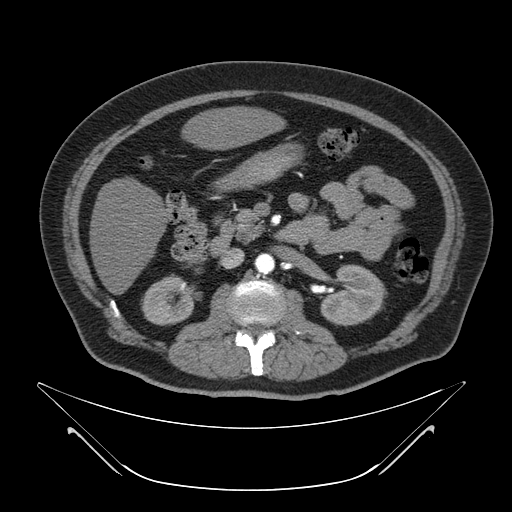
Abdominal CT with intravenous contrast, axial plane, 120 kVp, kernel B. Slice 27/64 from the bottom of the scan; thickness 4.00 mm; pixel size 0.977 mm.
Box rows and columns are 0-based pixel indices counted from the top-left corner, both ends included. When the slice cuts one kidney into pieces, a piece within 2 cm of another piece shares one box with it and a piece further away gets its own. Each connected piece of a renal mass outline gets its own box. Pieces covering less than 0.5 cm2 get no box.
Boxed on this slice (two kidney boxes), listed by box centre from the image's left to its right: (1) Box rows 274–325, columns 141–193: right kidney (outlined area 2,011 px, about 19.2 cm2). (2) Left kidney, box rows 264–326, columns 320–387 (outlined area 2,952 px, about 28.2 cm2). No renal mass is outlined on this slice.